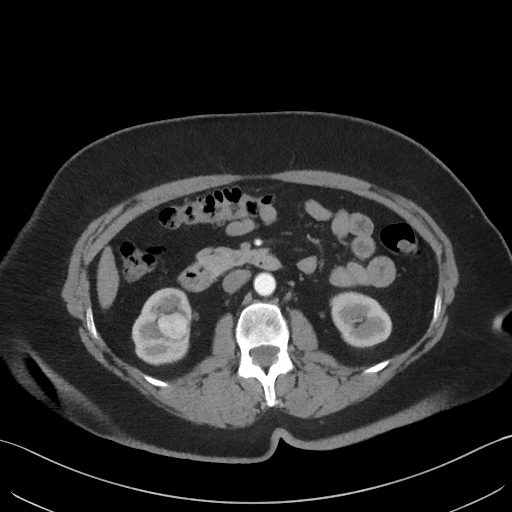
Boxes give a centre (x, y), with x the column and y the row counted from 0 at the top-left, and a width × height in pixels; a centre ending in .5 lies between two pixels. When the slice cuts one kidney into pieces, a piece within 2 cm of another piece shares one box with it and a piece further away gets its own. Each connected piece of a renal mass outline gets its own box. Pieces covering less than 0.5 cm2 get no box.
Slice 24/69 of a contrast-enhanced abdominal CT, counting up from the lowest; pixel size 0.736 mm, slice thickness 3.00 mm. Boxed on this slice (two kidney boxes and one renal mass box), listed by box centre from the image's left to its right: (1) Right kidney, box centre (161.5, 326), 60 × 79 pixels (outlined area 3,049 px, about 16.5 cm2). (2) Box centre (172, 325.5), 31 × 28 pixels: right renal mass (outlined area 669 px, about 3.6 cm2). (3) Left kidney in a box with centre (361, 319.5), 63 × 58 pixels (outlined area 2,654 px, about 14.4 cm2).
Tube voltage 140 kVp; convolution kernel I41f.